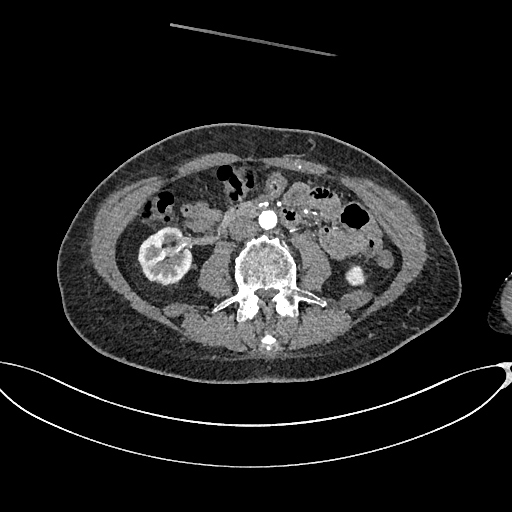
Arterial-phase contrast-enhanced abdominal CT, axial slice 311 of 665 (counted from the lowest slice); tube voltage 100 kVp, convolution kernel I26f; slices 1.00 mm thick, 0.828 mm per pixel.
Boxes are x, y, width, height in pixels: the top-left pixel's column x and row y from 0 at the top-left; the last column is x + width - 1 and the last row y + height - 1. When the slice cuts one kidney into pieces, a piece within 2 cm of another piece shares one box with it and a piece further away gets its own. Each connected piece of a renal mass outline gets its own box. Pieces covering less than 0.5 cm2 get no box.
Boxed on this slice (two kidney boxes), listed by box centre from the image's left to its right: (1) Right kidney, box x 137, y 226, width 56, height 61 (outlined area 2,440 px, about 16.7 cm2). (2) Left kidney, box x 345, y 263, width 23, height 23 (outlined area 376 px, about 2.6 cm2). This slice carries no renal mass outline.